Abdominal CT with intravenous contrast, arterial phase, axial plane, 120 kVp, kernel I30f. Slice 75/261 from the bottom of the scan; thickness 2.00 mm; pixel size 0.939 mm.
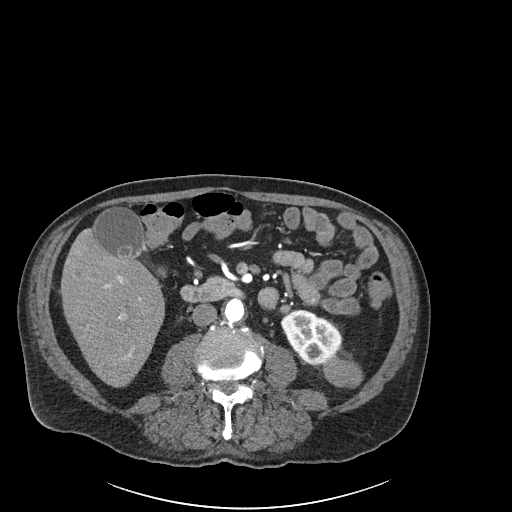
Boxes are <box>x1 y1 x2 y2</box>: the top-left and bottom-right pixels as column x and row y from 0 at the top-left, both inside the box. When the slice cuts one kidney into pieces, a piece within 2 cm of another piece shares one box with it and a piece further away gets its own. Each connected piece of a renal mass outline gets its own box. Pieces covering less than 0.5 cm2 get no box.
Boxed on this slice (one kidney box and one renal mass box), listed by box centre from the image's left to its right: (1) At <box>281 309 341 364</box>: left kidney (outlined area 2,324 px, about 20.5 cm2). (2) Left renal mass: <box>323 357 363 388</box> (outlined area 970 px, about 8.6 cm2).